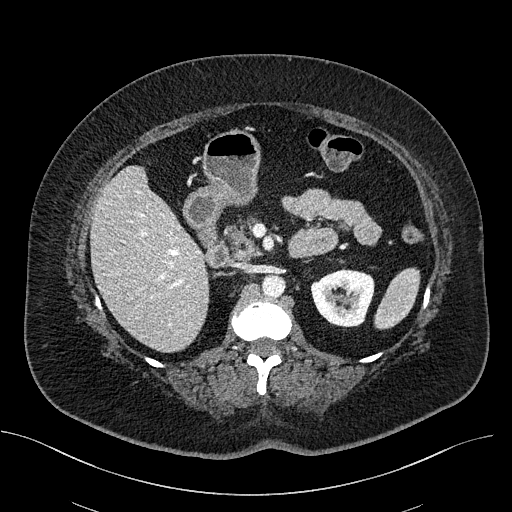
One axial slice (321 of 470, counting up from the lowest) of a contrast-enhanced abdominal CT acquired with 100 kVp, kernel I40f; each pixel is 0.824 mm and the slice is 2.00 mm thick.
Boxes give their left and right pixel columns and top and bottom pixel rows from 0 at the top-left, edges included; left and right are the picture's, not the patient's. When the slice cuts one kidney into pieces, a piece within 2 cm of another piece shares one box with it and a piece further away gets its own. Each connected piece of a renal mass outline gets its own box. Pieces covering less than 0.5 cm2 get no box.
Left kidney in the box with left 310, top 268, right 374, bottom 327 (outlined area 2,896 px, about 19.7 cm2). No renal mass outline on this slice.